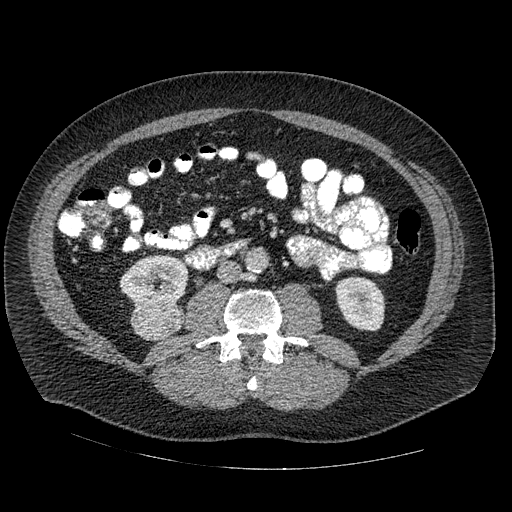
Abdominal CT with intravenous contrast, arterial phase, axial plane, 120 kVp, kernel STANDARD. Slice 247/445 from the bottom of the scan; thickness 1.25 mm; pixel size 0.863 mm.
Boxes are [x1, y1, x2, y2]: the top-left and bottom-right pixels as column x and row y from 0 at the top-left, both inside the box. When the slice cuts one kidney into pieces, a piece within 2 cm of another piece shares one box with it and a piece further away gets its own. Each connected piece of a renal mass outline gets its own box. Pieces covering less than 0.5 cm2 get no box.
Two kidney boxes and one renal mass box on this slice; by box centre, from the image's left to its right: (1) Right kidney, box [119, 254, 188, 307] (outlined area 2,764 px, about 20.6 cm2). (2) Right renal mass, box [130, 301, 183, 340] (outlined area 1,684 px, about 12.6 cm2). (3) Left kidney, box [335, 276, 385, 331] (outlined area 2,182 px, about 16.3 cm2).